One axial slice (88 of 129, counting up from the lowest) of an arterial-phase abdominal CT acquired with 100 kVp, kernel I41f; each pixel is 0.779 mm and the slice is 3.00 mm thick.
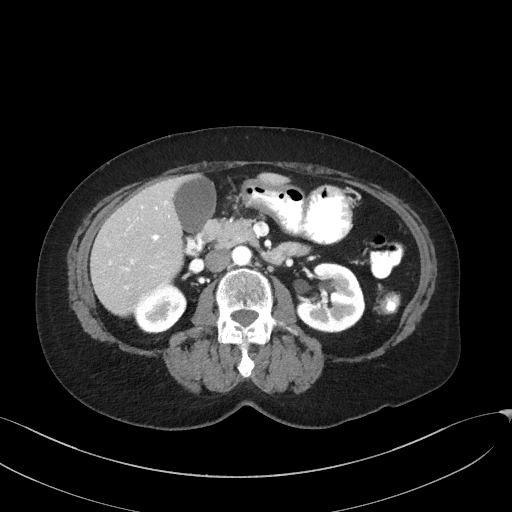
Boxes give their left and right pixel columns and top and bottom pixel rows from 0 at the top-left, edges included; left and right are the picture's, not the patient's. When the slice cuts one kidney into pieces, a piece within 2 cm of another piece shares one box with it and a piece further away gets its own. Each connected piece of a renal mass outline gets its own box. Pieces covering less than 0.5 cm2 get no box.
Boxed on this slice (two kidney boxes), listed by box centre from the image's left to its right: (1) Right kidney, the box with left 134, top 284, right 186, bottom 333 (outlined area 1,875 px, about 11.4 cm2). (2) Left kidney, the box with left 296, top 262, right 365, bottom 332 (outlined area 3,602 px, about 21.9 cm2). This slice carries no renal mass outline.